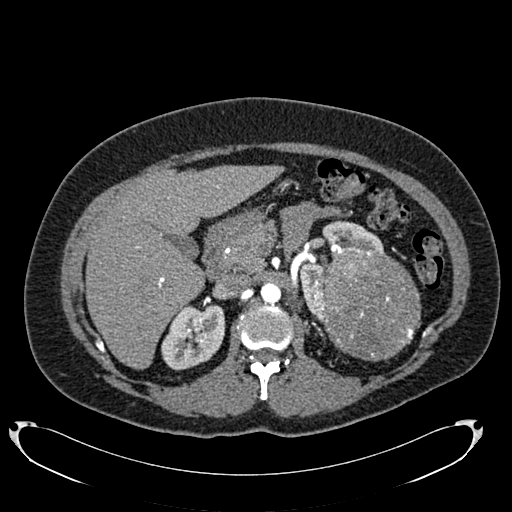
Axial slice 474 of 634 of a contrast-enhanced abdominal CT in the arterial phase (slice 1 is the lowest), 120 kVp, kernel B20f; 1.00 mm slice thickness and 0.838 mm pixels.
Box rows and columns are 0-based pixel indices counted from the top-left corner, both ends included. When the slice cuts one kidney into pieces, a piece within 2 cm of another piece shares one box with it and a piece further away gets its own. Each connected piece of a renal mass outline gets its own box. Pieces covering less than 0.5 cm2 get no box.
Boxed on this slice (two kidney boxes and one renal mass box), listed by box centre from the image's left to its right: (1) Right kidney, box rows 305–370, columns 161–225 (outlined area 3,165 px, about 22.2 cm2). (2) Left kidney at rows 220–321, columns 299–383 (outlined area 2,826 px, about 19.8 cm2). (3) Box rows 246–361, columns 322–421: left renal mass (outlined area 9,071 px, about 63.7 cm2).